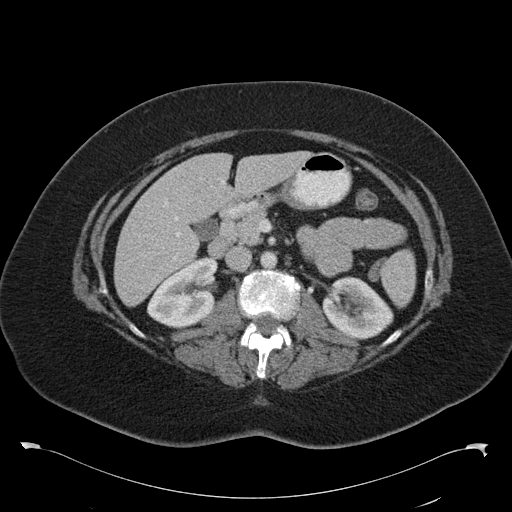
Abdominal CT with intravenous contrast, arterial phase, axial plane, 120 kVp, kernel B30f. Slice 62/97 from the bottom of the scan; thickness 5.00 mm; pixel size 0.824 mm.
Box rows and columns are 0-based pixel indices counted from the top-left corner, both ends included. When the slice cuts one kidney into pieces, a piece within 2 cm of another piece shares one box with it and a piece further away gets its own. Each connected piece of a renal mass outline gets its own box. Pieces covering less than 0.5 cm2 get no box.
Two boxes on this slice (two kidney boxes), listed by box centre from the image's left to its right. (1) Right kidney at rows 258–327, columns 147–218 (outlined area 3,398 px, about 23.1 cm2). (2) Box rows 277–339, columns 322–393: left kidney (outlined area 3,064 px, about 20.8 cm2). This slice carries no renal mass outline.